Abdominal CT with intravenous contrast, arterial phase, axial plane, 100 kVp, kernel I30f. Slice 201/1059 from the bottom of the scan; thickness 1.00 mm; pixel size 0.811 mm.
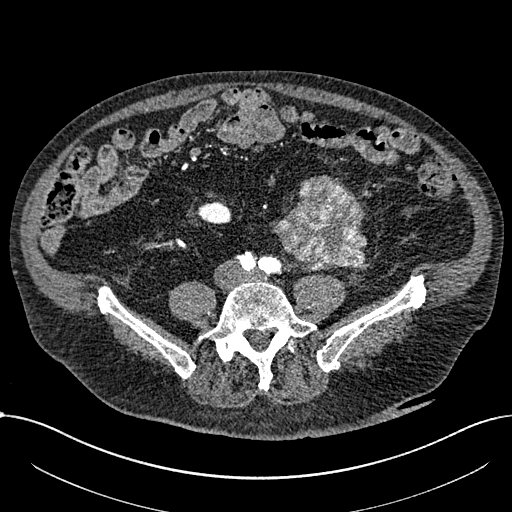
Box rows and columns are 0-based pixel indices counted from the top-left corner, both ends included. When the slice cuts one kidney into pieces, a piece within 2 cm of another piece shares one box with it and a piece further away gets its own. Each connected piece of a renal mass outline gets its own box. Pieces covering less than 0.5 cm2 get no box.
Boxed on this slice (one kidney box and one renal mass box), listed by box centre from the image's left to its right: (1) Box rows 202–224, columns 196–231: right part of the midline-crossing kidney (outlined area 616 px, about 4.0 cm2). (2) Renal mass, box rows 175–270, columns 273–366 (outlined area 6,329 px, about 41.6 cm2); here it is more than 1 cm from any kidney outline, though on another slice the same outlined renal mass lies within 1 cm of the kidney.